Abdominal CT with intravenous contrast, arterial phase, axial plane, 120 kVp, kernel B30f. Slice 166/274 from the bottom of the scan; thickness 2.00 mm; pixel size 0.809 mm.
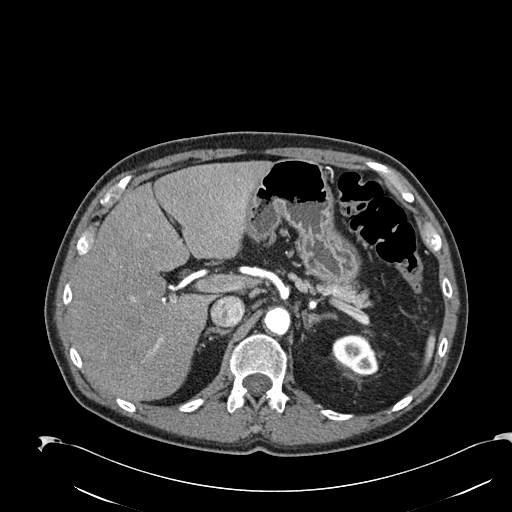
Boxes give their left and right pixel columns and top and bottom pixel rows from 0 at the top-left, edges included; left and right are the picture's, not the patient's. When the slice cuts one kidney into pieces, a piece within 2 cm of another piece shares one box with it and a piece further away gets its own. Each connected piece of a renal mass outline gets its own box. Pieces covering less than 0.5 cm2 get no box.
Left kidney in the box with left 332, top 334, right 378, bottom 375 (outlined area 1,355 px, about 8.9 cm2). No renal mass outline on this slice.